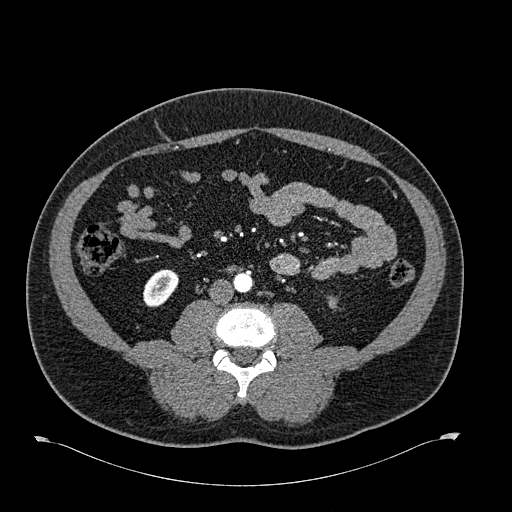
One axial slice (264 of 723, counting up from the lowest) of an arterial-phase abdominal CT acquired with 120 kVp, kernel B30f; each pixel is 0.895 mm and the slice is 1.00 mm thick.
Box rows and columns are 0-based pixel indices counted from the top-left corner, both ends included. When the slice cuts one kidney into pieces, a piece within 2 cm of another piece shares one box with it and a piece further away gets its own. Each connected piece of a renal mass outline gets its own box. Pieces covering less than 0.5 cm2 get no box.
Boxed on this slice (two kidney boxes), listed by box centre from the image's left to its right: (1) Right kidney at rows 269–307, columns 143–178 (outlined area 999 px, about 8.0 cm2). (2) Left kidney at rows 295–305, columns 327–335 (outlined area 70 px, about 0.6 cm2). No renal mass is outlined on this slice.